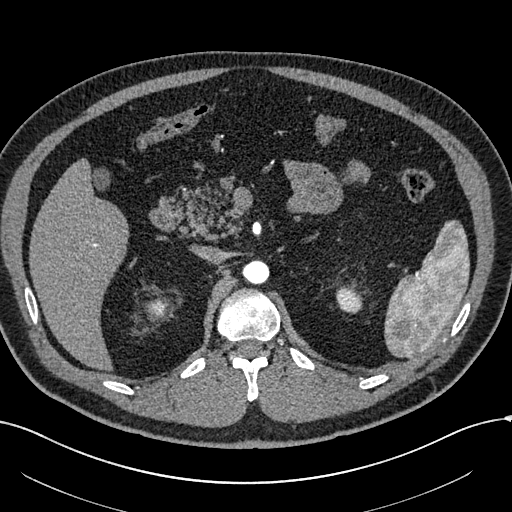
Axial slice 416 of 602 of a contrast-enhanced abdominal CT in the arterial phase (slice 1 is the lowest), 120 kVp, kernel I30f; 1.00 mm slice thickness and 0.799 mm pixels.
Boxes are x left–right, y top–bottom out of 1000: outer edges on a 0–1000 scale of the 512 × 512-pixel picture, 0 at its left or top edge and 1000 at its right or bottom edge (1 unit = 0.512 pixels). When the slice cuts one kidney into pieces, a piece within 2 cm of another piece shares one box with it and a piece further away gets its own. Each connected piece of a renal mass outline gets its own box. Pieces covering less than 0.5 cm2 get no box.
Two kidney boxes on this slice; by box centre, from the image's left to its right: (1) Right kidney at x 285–324, y 584–623 out of 1000 (outlined area 318 px, about 2.0 cm2). (2) Left kidney, box x 656–709, y 559–613 out of 1000 (outlined area 555 px, about 3.5 cm2). No renal mass outline on this slice.